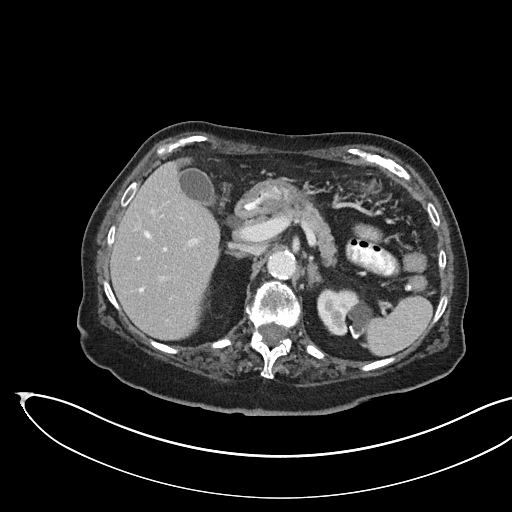
Axial slice 111 of 145 of a contrast-enhanced abdominal CT in the arterial phase (slice 1 is the lowest), 100 kVp, kernel I40f; 3.00 mm slice thickness and 0.834 mm pixels.
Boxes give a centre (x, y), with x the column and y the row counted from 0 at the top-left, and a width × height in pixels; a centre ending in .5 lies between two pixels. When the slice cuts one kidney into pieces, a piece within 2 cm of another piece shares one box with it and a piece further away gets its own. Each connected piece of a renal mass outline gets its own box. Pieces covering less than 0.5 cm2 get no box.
Box centre (344.5, 314), 56 × 51 pixels: kidney (outlined area 2,037 px, about 14.2 cm2). No renal mass outline on this slice.